Contrast-enhanced abdominal CT, axial slice 76 of 107 (counted from the lowest slice); tube voltage 120 kVp, convolution kernel B31f; slices 5.00 mm thick, 0.730 mm per pixel.
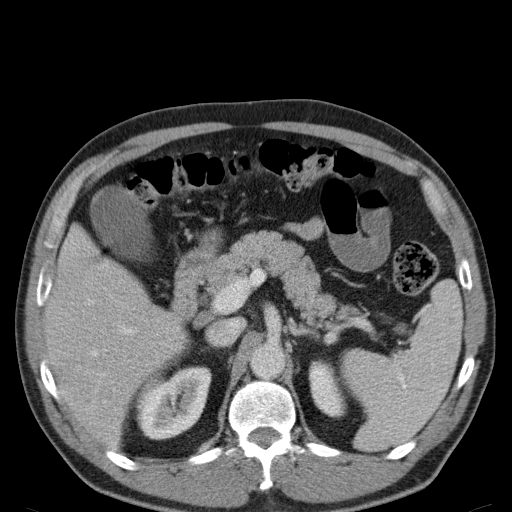
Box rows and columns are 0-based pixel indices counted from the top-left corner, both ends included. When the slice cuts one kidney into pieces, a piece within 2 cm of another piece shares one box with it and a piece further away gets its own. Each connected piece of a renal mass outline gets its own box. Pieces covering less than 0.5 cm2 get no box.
Two kidney boxes on this slice; by box centre, from the image's left to its right: (1) Right kidney, box rows 366–440, columns 136–211 (outlined area 3,976 px, about 21.2 cm2). (2) Box rows 359–418, columns 308–346: left kidney (outlined area 1,644 px, about 8.8 cm2). This slice carries no renal mass outline.